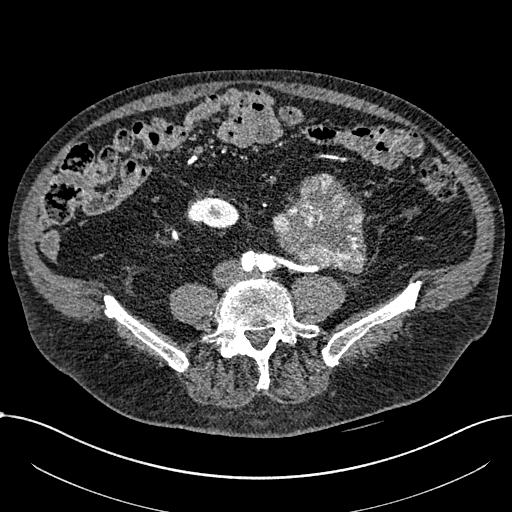
Arterial-phase contrast-enhanced abdominal CT, axial slice 210 of 1059 (counted from the lowest slice); tube voltage 100 kVp, convolution kernel I30f; slices 1.00 mm thick, 0.811 mm per pixel.
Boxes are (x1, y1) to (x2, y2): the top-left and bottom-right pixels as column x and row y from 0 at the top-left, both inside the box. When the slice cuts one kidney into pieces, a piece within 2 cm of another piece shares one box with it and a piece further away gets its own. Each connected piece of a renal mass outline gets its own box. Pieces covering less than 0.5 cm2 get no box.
Two boxes on this slice (one kidney box and one renal mass box), listed by box centre from the image's left to its right. (1) Box (187, 197) to (239, 229): right part of the midline-crossing kidney (outlined area 1,197 px, about 7.9 cm2). (2) Renal mass, box (272, 173) to (366, 273) (outlined area 6,573 px, about 43.2 cm2); on this slice it lies more than 1 cm from any kidney outline, but the same outlined renal mass comes within 1 cm of the kidney on another slice.